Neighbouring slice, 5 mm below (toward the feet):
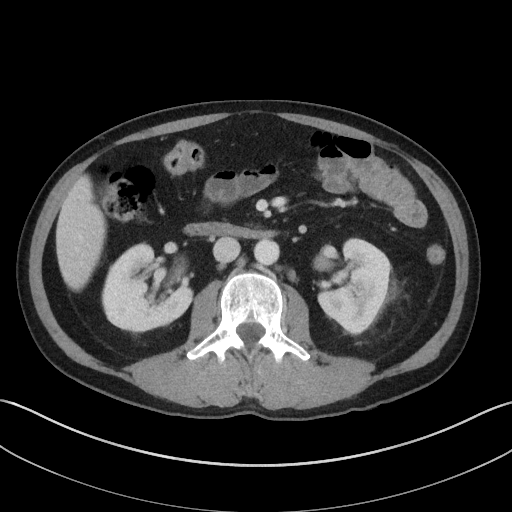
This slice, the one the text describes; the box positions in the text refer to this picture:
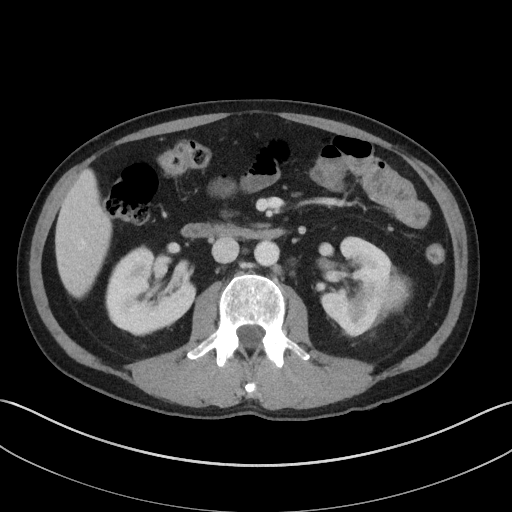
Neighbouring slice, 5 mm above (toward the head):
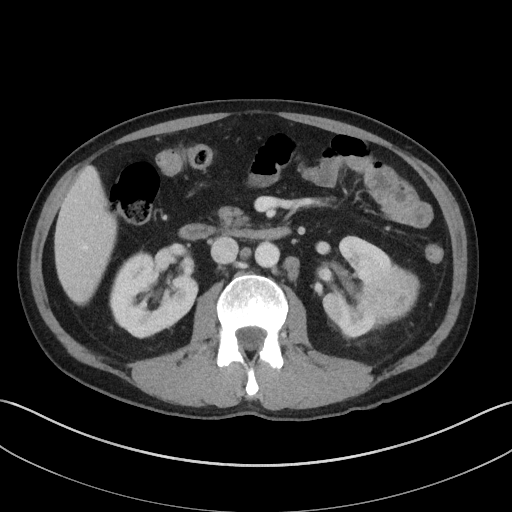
Abdominal CT with intravenous contrast, axial plane, 100 kVp, kernel I41f. Slice 63/143 from the bottom of the scan; thickness 5.00 mm; pixel size 0.734 mm.
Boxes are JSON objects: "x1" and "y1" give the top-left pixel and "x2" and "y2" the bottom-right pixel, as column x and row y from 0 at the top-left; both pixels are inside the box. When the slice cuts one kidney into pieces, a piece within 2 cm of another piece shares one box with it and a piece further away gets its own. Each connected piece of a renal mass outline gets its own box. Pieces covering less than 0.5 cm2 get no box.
Two kidney boxes and one renal mass box on this slice; by box centre, from the image's left to its right: (1) Right kidney at {"x1": 105, "y1": 245, "x2": 196, "y2": 336} (outlined area 5,739 px, about 31.0 cm2). (2) Left kidney, box {"x1": 320, "y1": 236, "x2": 393, "y2": 337} (outlined area 4,508 px, about 24.3 cm2). (3) Left renal mass, box {"x1": 373, "y1": 266, "x2": 411, "y2": 317} (outlined area 1,406 px, about 7.6 cm2). This slice lies near the end of the left renal mass toward the feet; the slices 5 mm below and 5 mm above it are shown too, and the boxes mark positions on this slice only.